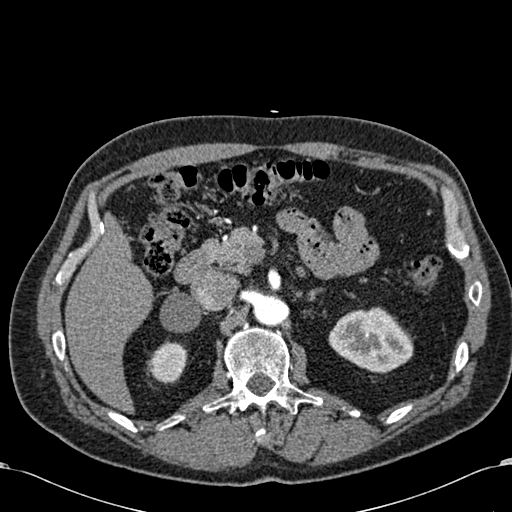
Abdominal CT with intravenous contrast, arterial phase, axial plane, 120 kVp, kernel B30f. Slice 410/581 from the bottom of the scan; thickness 1.00 mm; pixel size 0.713 mm.
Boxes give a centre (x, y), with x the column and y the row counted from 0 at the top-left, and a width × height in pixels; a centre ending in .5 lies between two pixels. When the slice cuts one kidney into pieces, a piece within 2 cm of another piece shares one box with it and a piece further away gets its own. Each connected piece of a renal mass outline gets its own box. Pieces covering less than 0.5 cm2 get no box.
Boxed on this slice (two kidney boxes), listed by box centre from the image's left to its right: (1) Right kidney, box centre (166.5, 362), 42 × 43 pixels (outlined area 1,274 px, about 6.5 cm2). (2) Left kidney, box centre (370.5, 339.5), 86 × 68 pixels (outlined area 4,047 px, about 20.6 cm2). No renal mass outline on this slice.